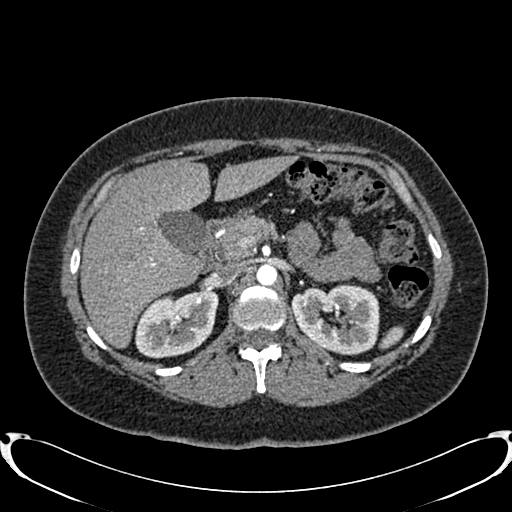
One axial slice (534 of 719, counting up from the lowest) of an arterial-phase abdominal CT acquired with 120 kVp, kernel B20f; each pixel is 0.766 mm and the slice is 1.00 mm thick.
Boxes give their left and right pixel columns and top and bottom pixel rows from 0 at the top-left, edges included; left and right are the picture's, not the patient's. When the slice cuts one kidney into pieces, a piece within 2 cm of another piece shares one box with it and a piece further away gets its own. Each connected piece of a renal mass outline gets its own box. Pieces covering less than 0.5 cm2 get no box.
Two kidney boxes on this slice; by box centre, from the image's left to its right: (1) Right kidney in the box with left 135, top 288, right 218, bottom 358 (outlined area 4,380 px, about 25.7 cm2). (2) Left kidney in the box with left 290, top 284, right 379, bottom 355 (outlined area 4,845 px, about 28.4 cm2). No renal mass is outlined on this slice.